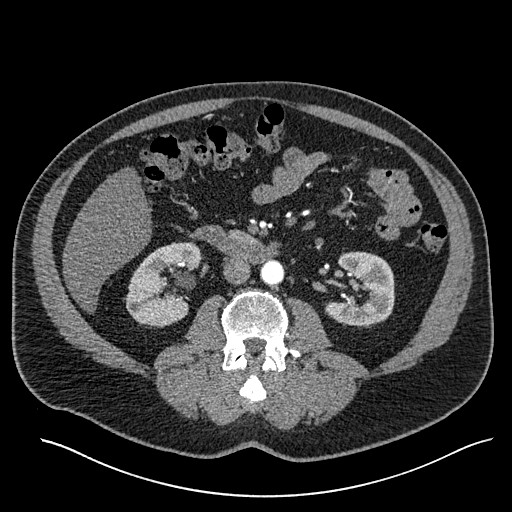
Arterial-phase contrast-enhanced abdominal CT, axial slice 286 of 527 (counted from the lowest slice); tube voltage 120 kVp, convolution kernel I30f; slices 1.00 mm thick, 0.859 mm per pixel.
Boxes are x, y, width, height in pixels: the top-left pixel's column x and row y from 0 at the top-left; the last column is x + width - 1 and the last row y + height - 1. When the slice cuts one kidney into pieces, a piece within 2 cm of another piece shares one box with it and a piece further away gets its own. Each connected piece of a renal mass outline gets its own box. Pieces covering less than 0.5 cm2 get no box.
Two boxes on this slice (two kidney boxes), listed by box centre from the image's left to its right. (1) Box x 125, y 242, width 77, height 86: right kidney (outlined area 4,481 px, about 33.1 cm2). (2) Box x 325, y 251, width 70, height 77: left kidney (outlined area 3,852 px, about 28.4 cm2). No renal mass outline on this slice.